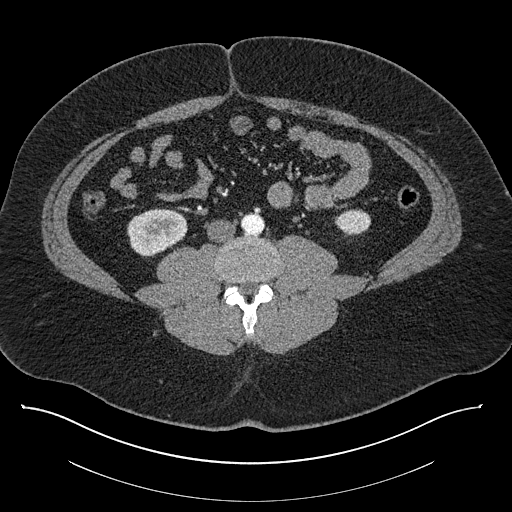
Axial slice 353 of 787 of a contrast-enhanced abdominal CT (slice 1 is the lowest), 140 kVp, kernel I30f; 1.00 mm slice thickness and 0.910 mm pixels.
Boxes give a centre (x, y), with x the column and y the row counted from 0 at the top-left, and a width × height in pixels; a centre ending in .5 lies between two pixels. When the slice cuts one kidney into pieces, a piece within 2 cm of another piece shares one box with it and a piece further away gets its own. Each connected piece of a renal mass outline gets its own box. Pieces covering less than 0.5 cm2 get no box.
Two boxes on this slice (two kidney boxes), listed by box centre from the image's left to its right. (1) Box centre (157, 231.5), 61 × 48 pixels: right kidney (outlined area 2,187 px, about 18.1 cm2). (2) Left kidney, box centre (352, 221.5), 37 × 26 pixels (outlined area 739 px, about 6.1 cm2). No renal mass is outlined on this slice.